One axial slice (402 of 532, counting up from the lowest) of an arterial-phase abdominal CT acquired with 120 kVp, kernel B30f; each pixel is 0.713 mm and the slice is 1.00 mm thick.
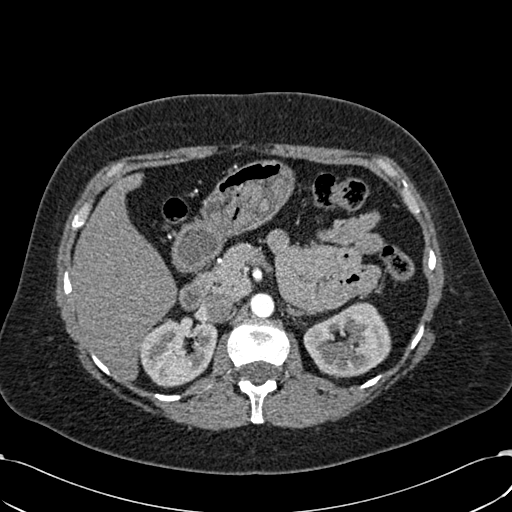
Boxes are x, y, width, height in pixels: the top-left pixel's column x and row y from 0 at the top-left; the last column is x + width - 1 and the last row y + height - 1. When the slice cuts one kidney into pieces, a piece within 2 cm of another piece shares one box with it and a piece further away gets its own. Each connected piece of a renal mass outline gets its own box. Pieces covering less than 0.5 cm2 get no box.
Two boxes on this slice (two kidney boxes), listed by box centre from the image's left to its right. (1) Box x 139, y 317, width 79, height 71: right kidney (outlined area 4,093 px, about 20.8 cm2). (2) Left kidney, box x 303, y 302, width 89, height 77 (outlined area 4,712 px, about 23.9 cm2). This slice carries no renal mass outline.